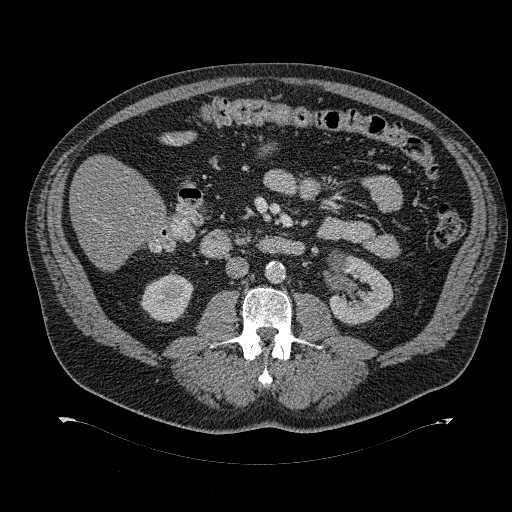
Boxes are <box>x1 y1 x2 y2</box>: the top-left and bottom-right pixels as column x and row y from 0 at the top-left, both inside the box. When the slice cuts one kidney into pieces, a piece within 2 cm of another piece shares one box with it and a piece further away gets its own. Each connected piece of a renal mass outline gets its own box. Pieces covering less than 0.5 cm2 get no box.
Contrast-enhanced abdominal CT, axial slice 169 of 274 (counted from the lowest slice); 2.00 mm thick, 0.977 mm per pixel. Two boxes on this slice (two kidney boxes), listed by box centre from the image's left to its right. (1) At <box>140 270 193 322</box>: right kidney (outlined area 1,928 px, about 18.4 cm2). (2) Left kidney at <box>328 255 393 325</box> (outlined area 3,048 px, about 29.1 cm2). No renal mass is outlined on this slice.
Scan settings: 120 kVp, B31f reconstruction kernel.